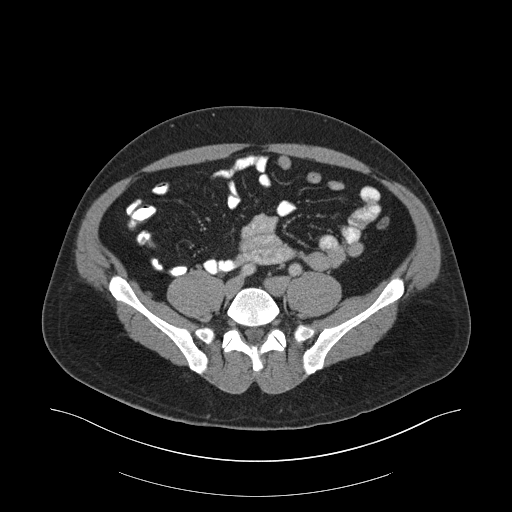
Axial slice 67 of 159 of a contrast-enhanced abdominal CT in the arterial phase (slice 1 is the lowest), 140 kVp, kernel B30f; 3.00 mm slice thickness and 0.977 mm pixels.
No kidney and no renal mass is outlined on this slice; the outlines in this scan cover only the kidneys and the renal masses, so nothing is said about any other organ.